Abdominal CT with intravenous contrast, arterial phase, axial plane, 120 kVp, kernel I26f. Slice 67/470 from the bottom of the scan; thickness 1.00 mm; pixel size 0.938 mm.
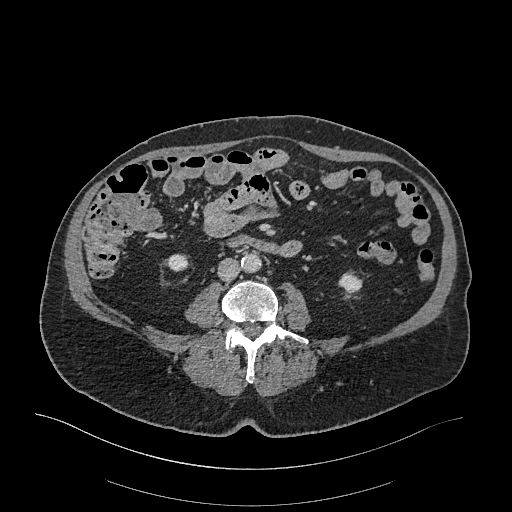
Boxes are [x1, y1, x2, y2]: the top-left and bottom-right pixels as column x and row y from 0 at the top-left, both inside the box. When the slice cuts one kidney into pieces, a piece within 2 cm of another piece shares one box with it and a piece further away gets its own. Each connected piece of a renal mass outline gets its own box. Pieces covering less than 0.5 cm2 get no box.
Boxed on this slice (two kidney boxes), listed by box centre from the image's left to its right: (1) Right kidney, box [167, 254, 187, 271] (outlined area 293 px, about 2.6 cm2). (2) Box [339, 273, 362, 292]: left kidney (outlined area 365 px, about 3.2 cm2). No renal mass outline on this slice.